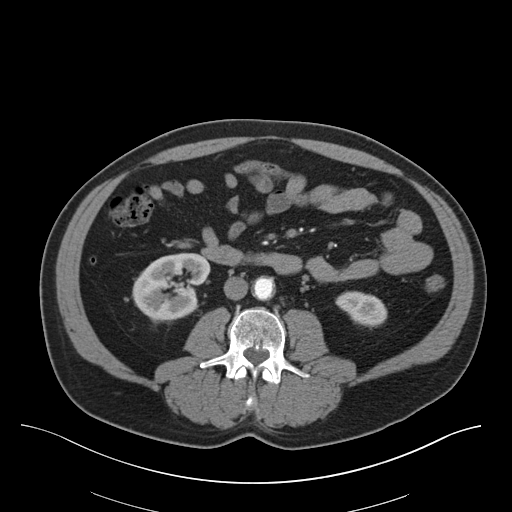
Contrast-enhanced abdominal CT, axial slice 18 of 75 (counted from the lowest slice); tube voltage 140 kVp, convolution kernel B30f; slices 3.00 mm thick, 0.875 mm per pixel.
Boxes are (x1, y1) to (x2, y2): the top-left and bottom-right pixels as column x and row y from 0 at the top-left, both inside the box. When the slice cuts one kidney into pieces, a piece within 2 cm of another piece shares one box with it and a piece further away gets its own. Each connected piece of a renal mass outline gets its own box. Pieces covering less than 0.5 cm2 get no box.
Boxed on this slice (two kidney boxes), listed by box centre from the image's left to its right: (1) Box (132, 252) to (210, 322): right kidney (outlined area 3,970 px, about 30.4 cm2). (2) Left kidney from (335, 291) to (387, 328) (outlined area 1,336 px, about 10.2 cm2). No renal mass outline on this slice.